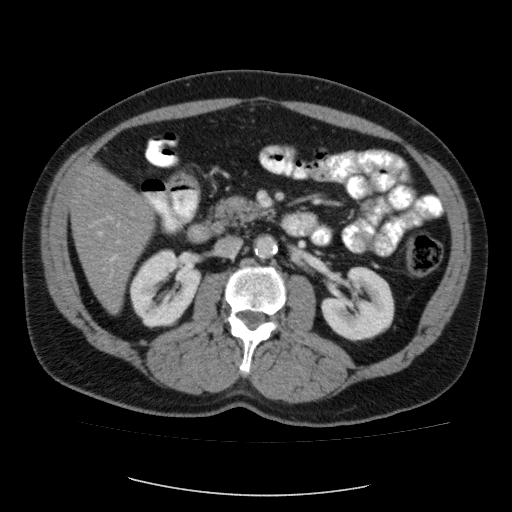
One axial slice (53 of 87, counting up from the lowest) of a contrast-enhanced abdominal CT acquired with 120 kVp, kernel FC12; each pixel is 0.812 mm and the slice is 5.00 mm thick.
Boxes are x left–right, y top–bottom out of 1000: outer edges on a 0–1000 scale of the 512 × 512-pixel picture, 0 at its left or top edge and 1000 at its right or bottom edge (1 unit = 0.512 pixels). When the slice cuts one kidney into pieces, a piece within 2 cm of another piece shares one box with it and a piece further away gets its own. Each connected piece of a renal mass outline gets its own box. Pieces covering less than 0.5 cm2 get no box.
Boxed on this slice (two kidney boxes and one renal mass box), listed by box centre from the image's left to its right: (1) Box x 252–395, y 486–643 out of 1000: right kidney (outlined area 3,708 px, about 24.4 cm2). (2) Right renal mass at x 313–350, y 596–631 out of 1000 (outlined area 262 px, about 1.7 cm2). (3) Left kidney, box x 627–771, y 520–668 out of 1000 (outlined area 3,988 px, about 26.3 cm2).